Axial slice 89 of 326 of a contrast-enhanced abdominal CT in the arterial phase (slice 1 is the lowest), 120 kVp, kernel B31f; 2.00 mm slice thickness and 0.963 mm pixels.
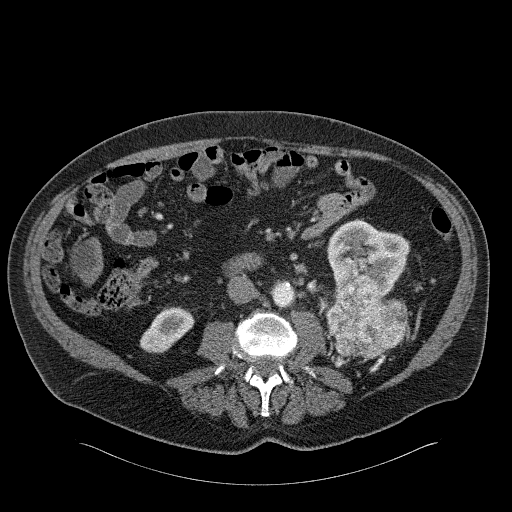
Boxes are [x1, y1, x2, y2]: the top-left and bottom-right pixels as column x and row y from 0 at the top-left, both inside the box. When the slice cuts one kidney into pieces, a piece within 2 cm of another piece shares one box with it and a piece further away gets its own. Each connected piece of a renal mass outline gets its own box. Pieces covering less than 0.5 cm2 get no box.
Three boxes on this slice (two kidney boxes and one renal mass box), listed by box centre from the image's left to its right. (1) Right kidney at [140, 306, 194, 353] (outlined area 1,636 px, about 15.2 cm2). (2) Left renal mass, box [322, 275, 405, 358] (outlined area 4,951 px, about 45.9 cm2). (3) Left kidney at [326, 220, 409, 296] (outlined area 4,246 px, about 39.4 cm2).